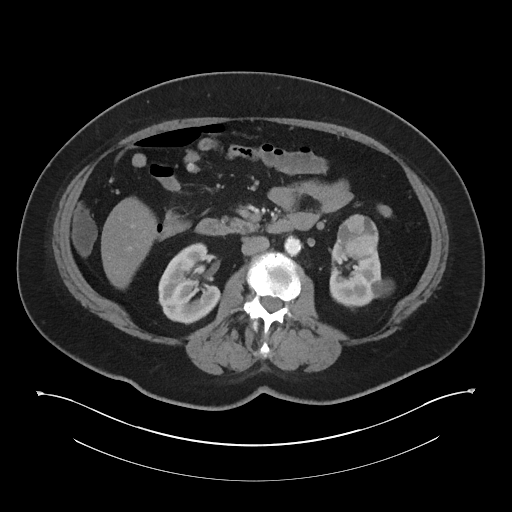
Abdominal CT with intravenous contrast, axial plane, 120 kVp, kernel I30f. Slice 21/60 from the bottom of the scan; thickness 5.00 mm; pixel size 0.971 mm.
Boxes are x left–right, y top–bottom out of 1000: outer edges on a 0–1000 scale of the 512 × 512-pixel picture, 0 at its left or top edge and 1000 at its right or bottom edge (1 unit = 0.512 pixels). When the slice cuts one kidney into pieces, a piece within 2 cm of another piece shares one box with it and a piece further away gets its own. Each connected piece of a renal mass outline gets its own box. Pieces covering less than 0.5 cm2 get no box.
Boxed on this slice (two kidney boxes and one renal mass box), listed by box centre from the image's left to its right: (1) Box x 309–434, y 473–635 out of 1000: right kidney (outlined area 3,663 px, about 34.5 cm2). (2) Box x 660–740, y 418–510 out of 1000: left renal mass (outlined area 1,452 px, about 13.7 cm2). (3) Left kidney, box x 643–768, y 453–604 out of 1000 (outlined area 2,631 px, about 24.8 cm2).